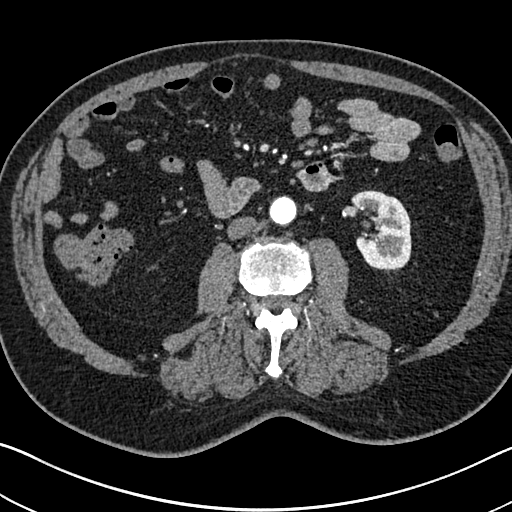
Axial slice 342 of 705 of a contrast-enhanced abdominal CT in the arterial phase (slice 1 is the lowest), 120 kVp, kernel I30f; 1.00 mm slice thickness and 0.703 mm pixels.
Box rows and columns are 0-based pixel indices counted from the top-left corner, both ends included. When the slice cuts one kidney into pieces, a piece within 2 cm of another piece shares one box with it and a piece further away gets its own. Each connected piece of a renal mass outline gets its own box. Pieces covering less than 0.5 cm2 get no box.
Left kidney at rows 190–272, columns 350–411 (outlined area 3,710 px, about 18.3 cm2). No renal mass outline on this slice.